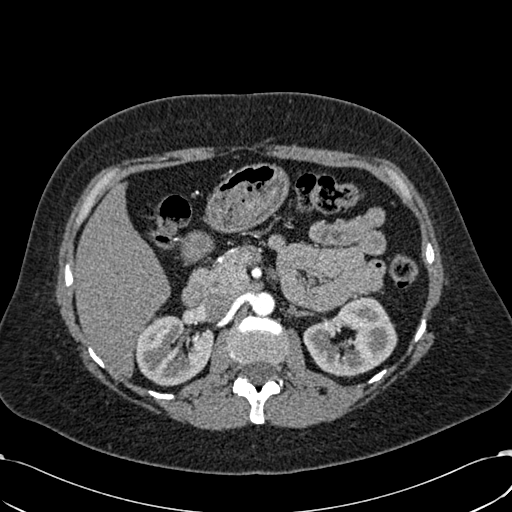
Axial slice 392 of 532 of a contrast-enhanced abdominal CT in the arterial phase (slice 1 is the lowest), 120 kVp, kernel B30f; 1.00 mm slice thickness and 0.713 mm pixels.
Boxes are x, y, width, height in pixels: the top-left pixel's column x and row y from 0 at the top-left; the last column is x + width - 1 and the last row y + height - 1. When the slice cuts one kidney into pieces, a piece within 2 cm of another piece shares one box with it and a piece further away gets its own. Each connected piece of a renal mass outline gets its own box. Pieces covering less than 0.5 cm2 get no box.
Boxed on this slice (two kidney boxes), listed by box centre from the image's left to its right: (1) Right kidney, box x 134, y 315, width 80, height 72 (outlined area 4,153 px, about 21.1 cm2). (2) Box x 303, y 296, width 95, height 82: left kidney (outlined area 5,004 px, about 25.4 cm2). No renal mass outline on this slice.